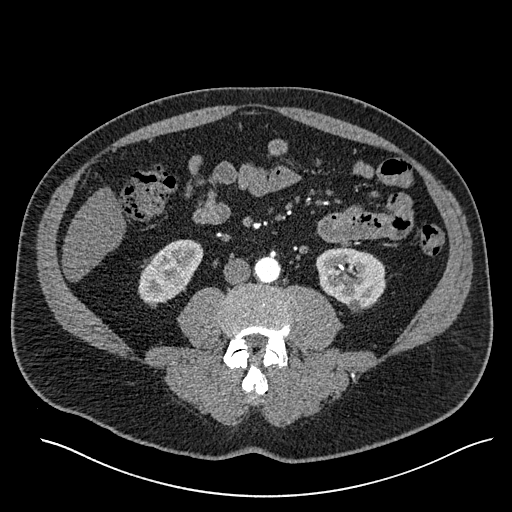
Arterial-phase contrast-enhanced abdominal CT, axial slice 225 of 527 (counted from the lowest slice); tube voltage 120 kVp, convolution kernel I30f; slices 1.00 mm thick, 0.859 mm per pixel.
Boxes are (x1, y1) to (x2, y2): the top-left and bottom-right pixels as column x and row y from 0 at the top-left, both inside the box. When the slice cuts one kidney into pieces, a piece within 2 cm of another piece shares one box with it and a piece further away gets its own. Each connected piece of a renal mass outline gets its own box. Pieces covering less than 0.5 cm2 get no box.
Two boxes on this slice (two kidney boxes), listed by box centre from the image's left to its right. (1) Right kidney, box (138, 239) to (203, 303) (outlined area 2,816 px, about 20.8 cm2). (2) Box (315, 247) to (385, 312): left kidney (outlined area 3,413 px, about 25.2 cm2). This slice carries no renal mass outline.